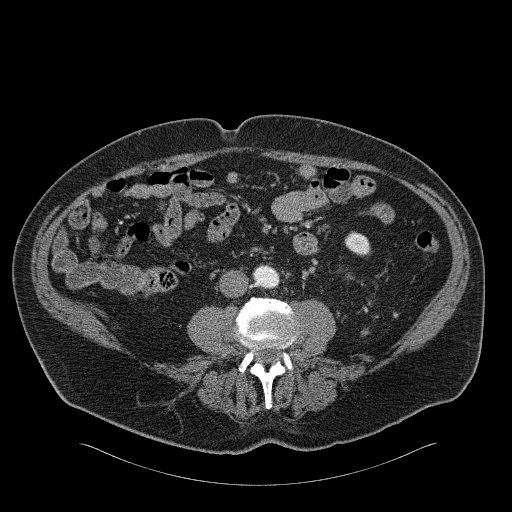
One axial slice (57 of 326, counting up from the lowest) of an arterial-phase abdominal CT acquired with 120 kVp, kernel B31f; each pixel is 0.963 mm and the slice is 2.00 mm thick.
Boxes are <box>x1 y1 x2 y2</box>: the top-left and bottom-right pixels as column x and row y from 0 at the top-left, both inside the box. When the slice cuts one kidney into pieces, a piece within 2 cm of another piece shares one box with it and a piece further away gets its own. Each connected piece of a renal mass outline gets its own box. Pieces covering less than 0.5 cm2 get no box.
Left kidney at <box>344 231 370 255</box> (outlined area 483 px, about 4.5 cm2). No renal mass is outlined on this slice.